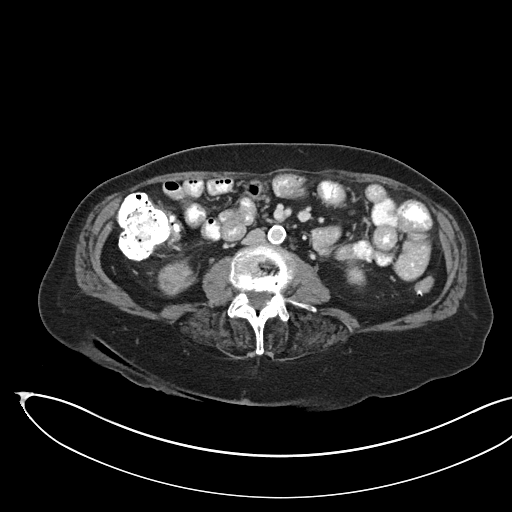
Abdominal CT with intravenous contrast, arterial phase, axial plane, 100 kVp, kernel I40f. Slice 84/145 from the bottom of the scan; thickness 3.00 mm; pixel size 0.834 mm.
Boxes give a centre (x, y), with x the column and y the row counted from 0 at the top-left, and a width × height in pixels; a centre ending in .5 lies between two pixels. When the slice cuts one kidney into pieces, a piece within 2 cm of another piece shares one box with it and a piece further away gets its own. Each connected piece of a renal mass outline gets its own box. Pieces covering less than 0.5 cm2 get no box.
One kidney box and one renal mass box on this slice; by box centre, from the image's left to its right: (1) Renal mass in a box with centre (176.5, 277.5), 40 × 36 pixels (outlined area 991 px, about 6.9 cm2); here it is more than 1 cm from any kidney outline, though on another slice the same outlined renal mass lies within 1 cm of the kidney. (2) Kidney, box centre (356, 275.5), 19 × 22 pixels (outlined area 332 px, about 2.3 cm2).